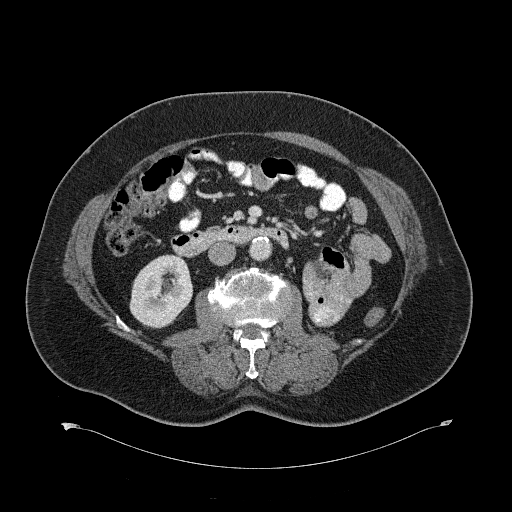
Axial slice 342 of 734 of a contrast-enhanced abdominal CT (slice 1 is the lowest), 120 kVp, kernel B31f; 2.00 mm slice thickness and 0.971 mm pixels.
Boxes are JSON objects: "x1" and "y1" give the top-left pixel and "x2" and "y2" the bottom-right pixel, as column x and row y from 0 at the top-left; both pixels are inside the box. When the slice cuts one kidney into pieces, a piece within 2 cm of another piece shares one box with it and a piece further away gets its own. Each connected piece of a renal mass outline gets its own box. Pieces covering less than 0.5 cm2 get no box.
Right kidney, box {"x1": 129, "y1": 254, "x2": 192, "y2": 328} (outlined area 3,537 px, about 33.3 cm2). This slice carries no renal mass outline.